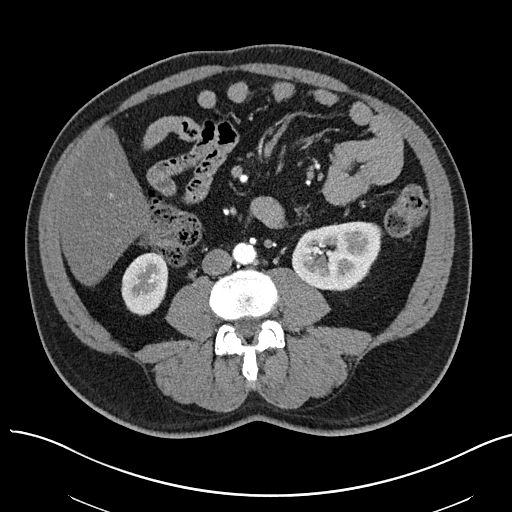
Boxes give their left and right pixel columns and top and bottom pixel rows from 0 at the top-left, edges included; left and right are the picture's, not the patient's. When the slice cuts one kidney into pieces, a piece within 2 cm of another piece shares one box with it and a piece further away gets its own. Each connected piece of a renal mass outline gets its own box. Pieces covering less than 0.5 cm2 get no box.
Slice 18/97 of a contrast-enhanced abdominal CT in the arterial phase, counting up from the lowest; pixel size 0.797 mm, slice thickness 3.00 mm. Two boxes on this slice (two kidney boxes), listed by box centre from the image's left to its right. (1) Right kidney, the box with left 121, top 252, right 168, bottom 315 (outlined area 2,348 px, about 14.9 cm2). (2) Box with left 291, top 221, right 382, bottom 291: left kidney (outlined area 4,876 px, about 31.0 cm2). No renal mass outline on this slice.
Tube voltage 100 kVp; convolution kernel I40f.